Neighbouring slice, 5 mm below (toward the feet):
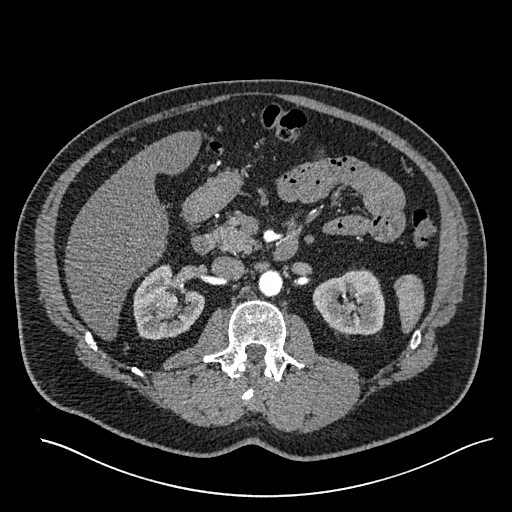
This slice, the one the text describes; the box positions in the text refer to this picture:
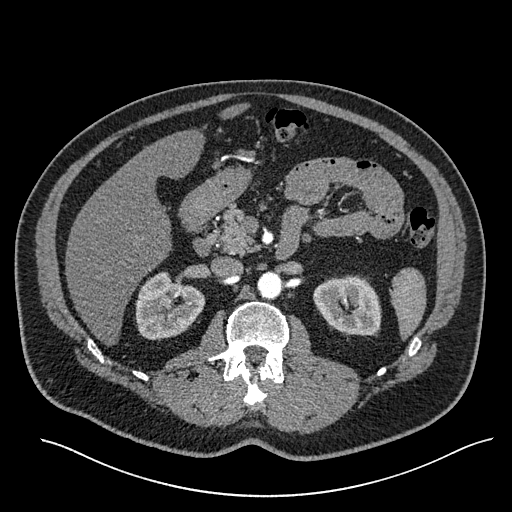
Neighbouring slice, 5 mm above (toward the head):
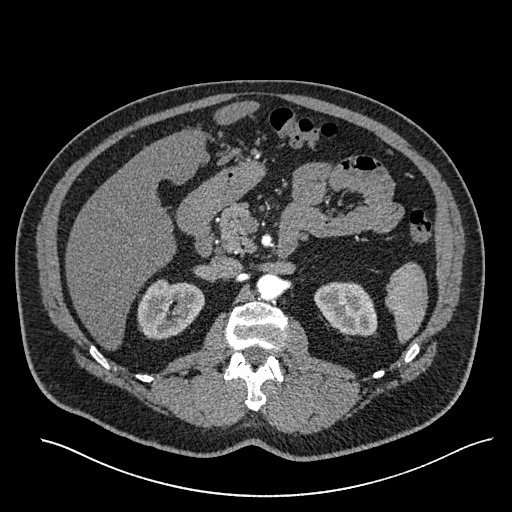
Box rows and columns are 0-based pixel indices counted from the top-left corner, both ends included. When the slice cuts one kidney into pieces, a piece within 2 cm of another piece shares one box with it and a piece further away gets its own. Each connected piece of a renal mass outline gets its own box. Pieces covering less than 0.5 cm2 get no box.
Arterial-phase contrast-enhanced abdominal CT, axial slice 357 of 527 (counted from the lowest slice); 1.00 mm thick, 0.859 mm per pixel. Two kidney boxes and one renal mass box on this slice; by box centre, from the image's left to its right: (1) Right renal mass at rows 296–310, columns 159–173 (outlined area 179 px, about 1.3 cm2). (2) Right kidney, box rows 271–340, columns 135–205 (outlined area 3,301 px, about 24.4 cm2). (3) Left kidney, box rows 275–336, columns 313–381 (outlined area 3,278 px, about 24.2 cm2). This slice lies near the end of the right renal mass toward the head; the slices 5 mm below and 5 mm above it are shown too, and the boxes mark positions on this slice only.
Tube voltage 120 kVp; convolution kernel I30f.